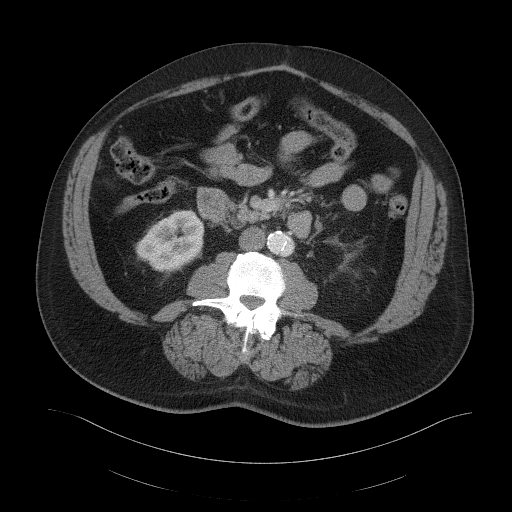
Axial slice 62 of 103 of a contrast-enhanced abdominal CT in the arterial phase (slice 1 is the lowest), 120 kVp, kernel B41f; 5.00 mm slice thickness and 0.951 mm pixels.
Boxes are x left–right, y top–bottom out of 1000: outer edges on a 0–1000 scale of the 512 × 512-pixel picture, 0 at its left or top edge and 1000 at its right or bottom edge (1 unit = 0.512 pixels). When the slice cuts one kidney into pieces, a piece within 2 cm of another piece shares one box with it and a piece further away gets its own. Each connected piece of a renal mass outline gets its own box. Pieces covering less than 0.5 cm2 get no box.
Box x 264–400, y 408–531 out of 1000: right kidney (outlined area 3,109 px, about 28.1 cm2). No renal mass outline on this slice.